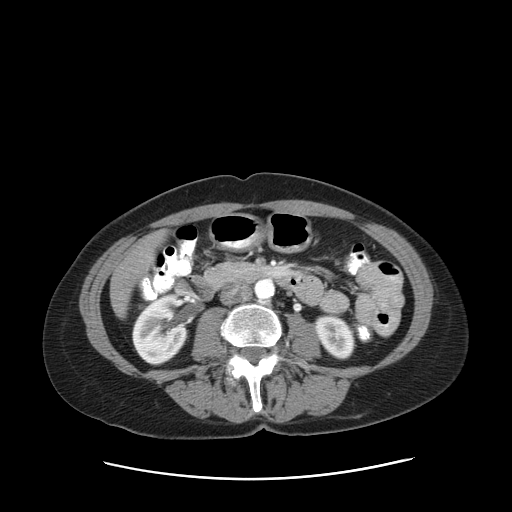
Arterial-phase contrast-enhanced abdominal CT, axial slice 47 of 83 (counted from the lowest slice); tube voltage 120 kVp, convolution kernel STANDARD; slices 5.00 mm thick, 0.775 mm per pixel.
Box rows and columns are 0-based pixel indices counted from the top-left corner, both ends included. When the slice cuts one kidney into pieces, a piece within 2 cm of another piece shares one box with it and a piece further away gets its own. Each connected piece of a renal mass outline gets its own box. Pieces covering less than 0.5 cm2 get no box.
Boxed on this slice (two kidney boxes), listed by box centre from the image's left to its right: (1) Box rows 292–365, columns 132–188: right kidney (outlined area 3,105 px, about 18.7 cm2). (2) Left kidney at rows 314–359, columns 315–355 (outlined area 1,362 px, about 8.2 cm2). No renal mass outline on this slice.